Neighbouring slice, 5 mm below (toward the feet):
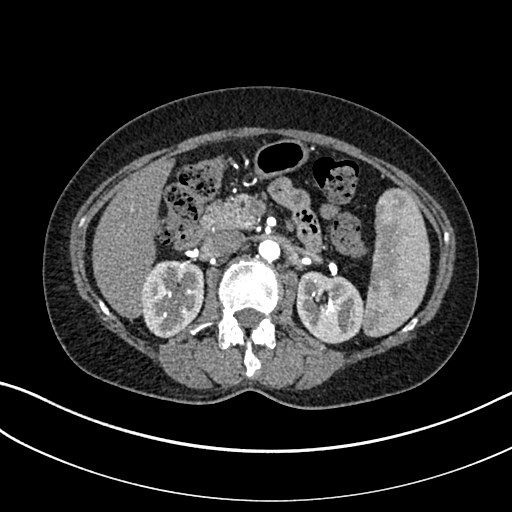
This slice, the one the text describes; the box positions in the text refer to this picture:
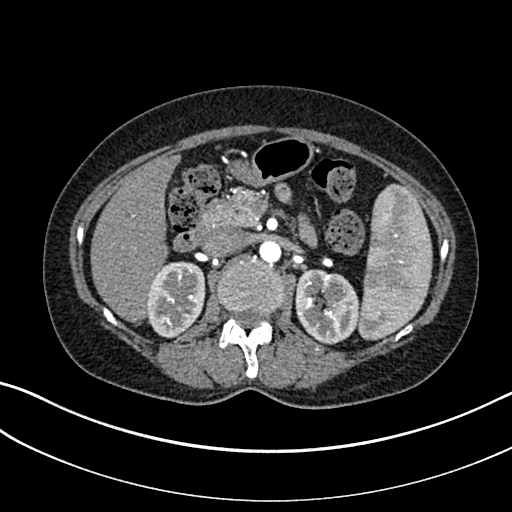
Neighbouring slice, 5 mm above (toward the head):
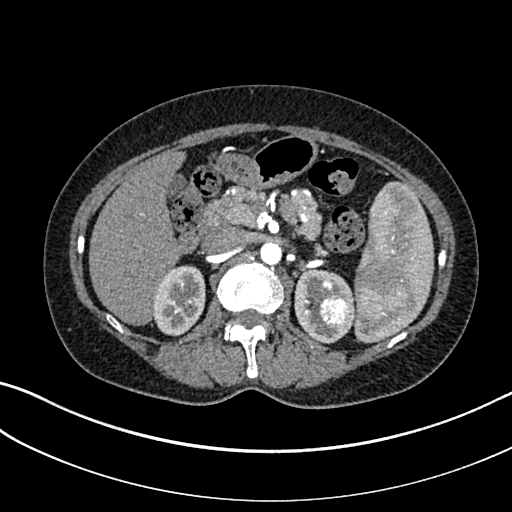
Arterial-phase contrast-enhanced abdominal CT, axial slice 192 of 325 (counted from the lowest slice); tube voltage 100 kVp, convolution kernel I30f; slices 1.00 mm thick, 0.703 mm per pixel.
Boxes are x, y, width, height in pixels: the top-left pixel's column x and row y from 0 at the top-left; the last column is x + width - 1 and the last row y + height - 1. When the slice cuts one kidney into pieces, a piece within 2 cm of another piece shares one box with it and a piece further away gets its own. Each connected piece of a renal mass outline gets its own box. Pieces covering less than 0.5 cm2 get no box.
Two kidney boxes and one renal mass box on this slice; by box centre, from the image's left to its right: (1) Right kidney, box x 146, y 261, width 60, height 78 (outlined area 3,618 px, about 17.9 cm2). (2) Left kidney at x 294, y 269, width 66, height 76 (outlined area 3,667 px, about 18.1 cm2). (3) Left renal mass, box x 325, y 305, width 15, height 15 (outlined area 177 px, about 0.9 cm2). This slice lies near the end of the left renal mass toward the feet; the slices 5 mm below and 5 mm above it are shown too, and the boxes mark positions on this slice only.